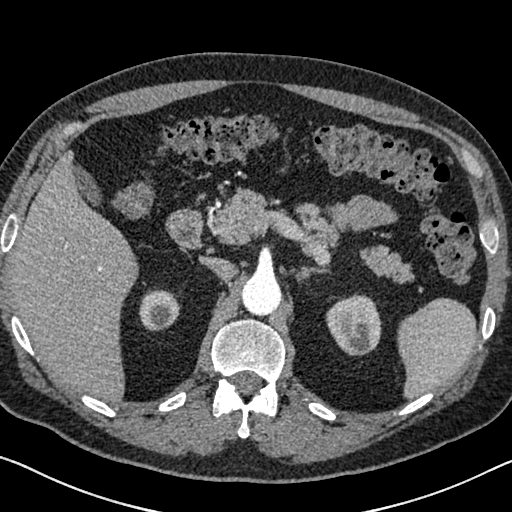
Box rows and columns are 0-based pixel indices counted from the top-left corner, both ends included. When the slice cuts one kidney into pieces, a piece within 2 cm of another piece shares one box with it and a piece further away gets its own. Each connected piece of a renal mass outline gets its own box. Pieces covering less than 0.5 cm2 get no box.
This is axial slice 474 of 626 (slice 1 is the lowest) of an arterial-phase abdominal CT with contrast; each pixel is 0.703 mm and the slice is 1.00 mm thick. Two boxes on this slice (two kidney boxes), listed by box centre from the image's left to its right. (1) Right kidney, box rows 289–330, columns 139–180 (outlined area 1,345 px, about 6.6 cm2). (2) Left kidney at rows 293–355, columns 326–381 (outlined area 2,624 px, about 13.0 cm2). No renal mass is outlined on this slice.
Acquired at 120 kVp and reconstructed with the I30f kernel.